Abdominal CT with intravenous contrast, arterial phase, axial plane, 120 kVp, kernel I30f. Slice 284/626 from the bottom of the scan; thickness 1.00 mm; pixel size 0.703 mm.
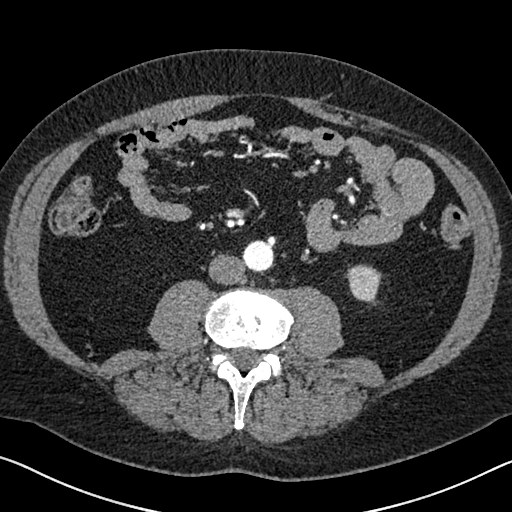
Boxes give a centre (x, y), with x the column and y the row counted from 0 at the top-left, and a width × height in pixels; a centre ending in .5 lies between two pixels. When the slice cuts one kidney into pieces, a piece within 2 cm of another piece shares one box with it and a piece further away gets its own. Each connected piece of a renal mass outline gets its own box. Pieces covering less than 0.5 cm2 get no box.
Left kidney in a box with centre (363.5, 283.5), 36 × 40 pixels (outlined area 1,035 px, about 5.1 cm2). This slice carries no renal mass outline.